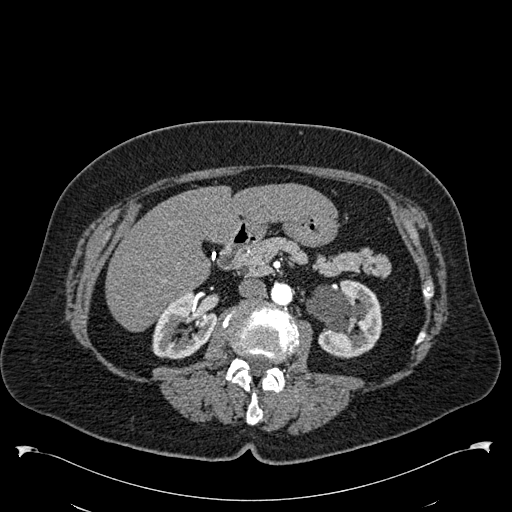
One axial slice (325 of 538, counting up from the lowest) of an arterial-phase abdominal CT acquired with 120 kVp, kernel B30f; each pixel is 0.811 mm and the slice is 1.00 mm thick.
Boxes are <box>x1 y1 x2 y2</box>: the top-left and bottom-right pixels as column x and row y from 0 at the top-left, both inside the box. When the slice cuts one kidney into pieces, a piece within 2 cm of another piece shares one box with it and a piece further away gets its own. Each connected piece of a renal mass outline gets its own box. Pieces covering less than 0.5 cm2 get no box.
Two kidney boxes on this slice; by box centre, from the image's left to its right: (1) Right kidney at <box>152 289 217 359</box> (outlined area 3,048 px, about 20.0 cm2). (2) At <box>305 280 382 358</box>: left kidney (outlined area 4,381 px, about 28.8 cm2). No renal mass outline on this slice.